Abdominal CT with intravenous contrast, arterial phase, axial plane, 120 kVp, kernel I26f. Slice 361/548 from the bottom of the scan; thickness 1.00 mm; pixel size 0.852 mm.
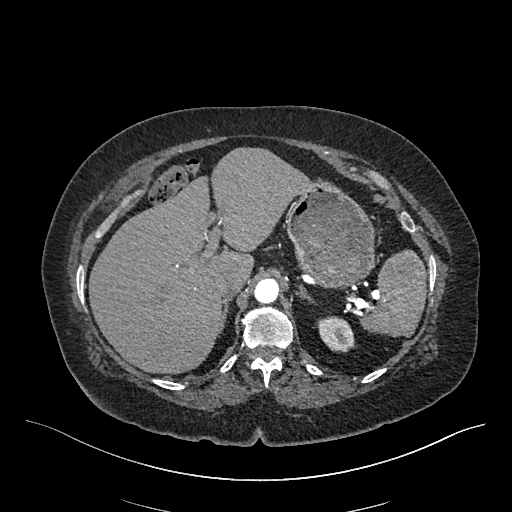
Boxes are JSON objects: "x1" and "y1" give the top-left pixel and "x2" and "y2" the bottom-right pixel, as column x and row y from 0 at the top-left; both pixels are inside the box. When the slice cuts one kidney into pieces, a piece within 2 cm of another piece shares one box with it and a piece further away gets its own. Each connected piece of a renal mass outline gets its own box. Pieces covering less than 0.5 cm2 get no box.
Left kidney, box {"x1": 317, "y1": 316, "x2": 355, "y2": 352} (outlined area 1,045 px, about 7.6 cm2). No renal mass is outlined on this slice.